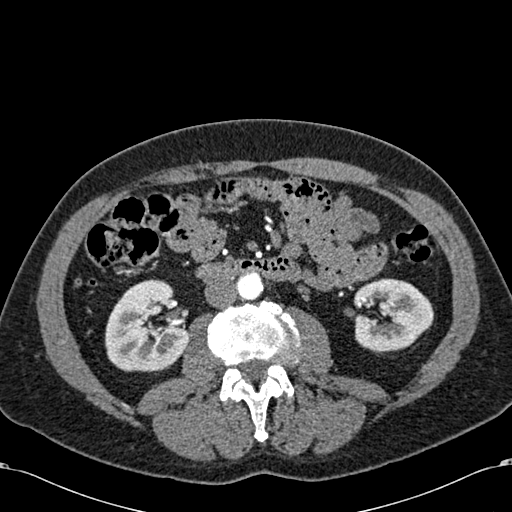
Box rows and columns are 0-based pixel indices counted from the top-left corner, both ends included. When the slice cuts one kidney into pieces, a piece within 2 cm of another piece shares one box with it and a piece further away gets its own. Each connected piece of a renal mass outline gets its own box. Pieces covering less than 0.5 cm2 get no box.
This is axial slice 298 of 581 (slice 1 is the lowest) of an arterial-phase abdominal CT with contrast; each pixel is 0.713 mm and the slice is 1.00 mm thick. Two boxes on this slice (two kidney boxes), listed by box centre from the image's left to its right. (1) Box rows 279–372, columns 105–189: right kidney (outlined area 5,940 px, about 30.2 cm2). (2) Left kidney, box rows 278–351, columns 352–433 (outlined area 4,470 px, about 22.7 cm2). No renal mass is outlined on this slice.
Tube voltage 120 kVp; convolution kernel B30f.